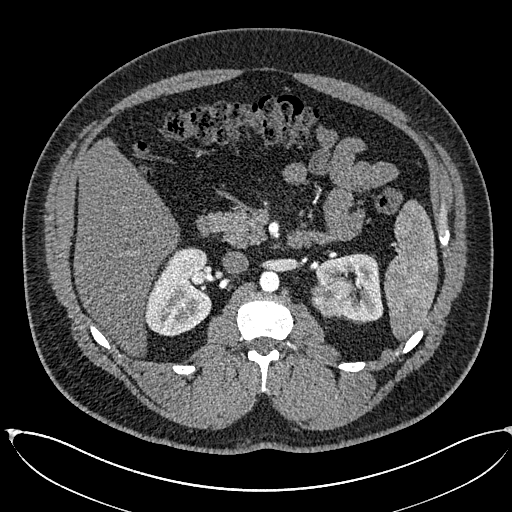
Arterial-phase contrast-enhanced abdominal CT, axial slice 380 of 673 (counted from the lowest slice); tube voltage 120 kVp, convolution kernel I30f; slices 1.00 mm thick, 0.855 mm per pixel.
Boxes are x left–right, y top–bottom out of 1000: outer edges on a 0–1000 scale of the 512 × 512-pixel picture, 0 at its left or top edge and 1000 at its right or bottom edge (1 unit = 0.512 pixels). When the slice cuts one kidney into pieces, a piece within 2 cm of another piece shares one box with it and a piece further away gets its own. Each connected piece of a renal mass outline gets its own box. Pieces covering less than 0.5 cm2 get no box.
Two kidney boxes and one renal mass box on this slice; by box centre, from the image's left to its right: (1) Right kidney at x 283–414, y 482–658 out of 1000 (outlined area 4,458 px, about 32.6 cm2). (2) Left renal mass at x 607–697, y 539–621 out of 1000 (outlined area 1,553 px, about 11.4 cm2). (3) Left kidney at x 615–750, y 494–631 out of 1000 (outlined area 2,487 px, about 18.2 cm2).